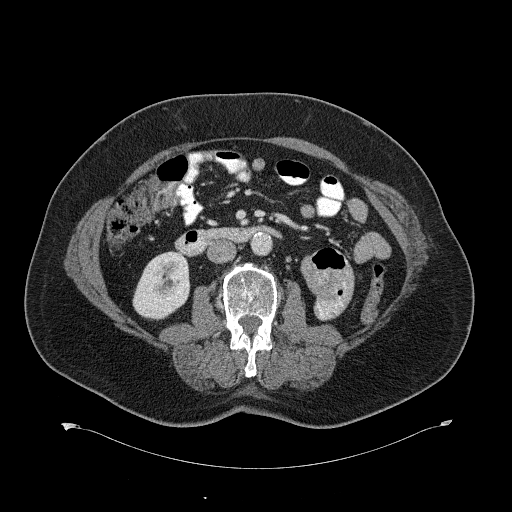
Axial slice 330 of 734 of a contrast-enhanced abdominal CT (slice 1 is the lowest), 120 kVp, kernel B31f; 2.00 mm slice thickness and 0.971 mm pixels.
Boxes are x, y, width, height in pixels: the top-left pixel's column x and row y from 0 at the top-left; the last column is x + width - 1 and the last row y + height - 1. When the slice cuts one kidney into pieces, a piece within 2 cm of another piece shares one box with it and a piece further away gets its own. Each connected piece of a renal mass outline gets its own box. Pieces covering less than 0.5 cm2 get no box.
Right kidney, box x 132, y 251, width 58, height 70 (outlined area 2,972 px, about 28.0 cm2). No renal mass outline on this slice.